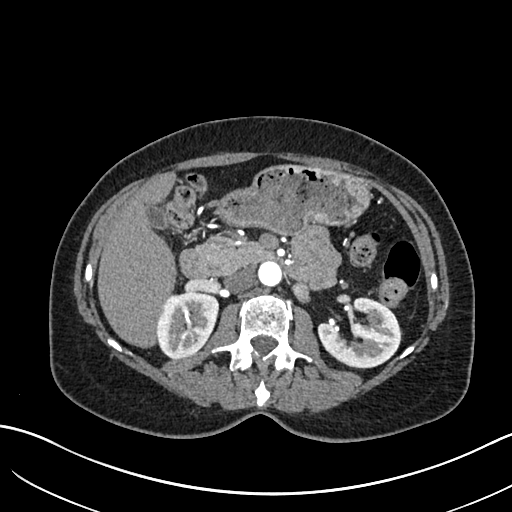
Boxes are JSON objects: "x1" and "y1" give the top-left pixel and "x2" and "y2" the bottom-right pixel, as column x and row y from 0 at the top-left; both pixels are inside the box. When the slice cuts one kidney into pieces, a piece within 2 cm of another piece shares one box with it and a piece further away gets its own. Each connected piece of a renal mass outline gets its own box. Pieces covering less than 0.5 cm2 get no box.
This is axial slice 385 of 683 (slice 1 is the lowest) of an arterial-phase abdominal CT with contrast; each pixel is 0.738 mm and the slice is 1.00 mm thick. Two kidney boxes on this slice; by box centre, from the image's left to its right: (1) Box {"x1": 157, "y1": 292, "x2": 218, "y2": 359}: right kidney (outlined area 3,299 px, about 18.0 cm2). (2) Left kidney, box {"x1": 317, "y1": 297, "x2": 400, "y2": 368} (outlined area 4,099 px, about 22.3 cm2). This slice carries no renal mass outline.
Tube voltage 120 kVp; convolution kernel I30f.